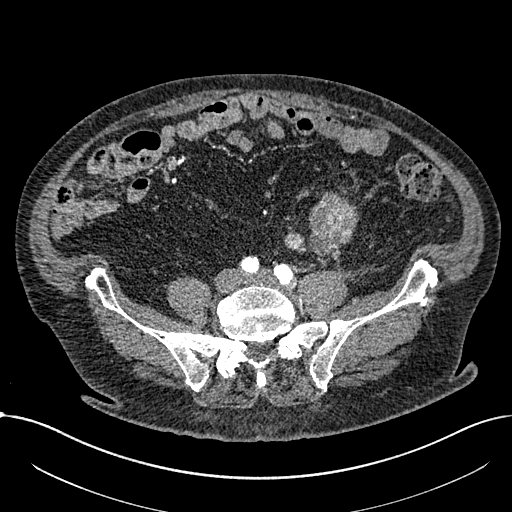
Axial slice 172 of 1059 of a contrast-enhanced abdominal CT in the arterial phase (slice 1 is the lowest), 100 kVp, kernel I30f; 1.00 mm slice thickness and 0.811 mm pixels.
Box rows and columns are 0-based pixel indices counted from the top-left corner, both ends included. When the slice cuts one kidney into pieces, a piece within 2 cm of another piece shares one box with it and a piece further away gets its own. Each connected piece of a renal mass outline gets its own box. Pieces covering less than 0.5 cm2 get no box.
Two boxes on this slice (two renal mass boxes), listed by box centre from the image's left to its right. (1) Renal mass at rows 229–251, columns 284–303 (outlined area 325 px, about 2.1 cm2); no kidney is outlined on this slice, but the same outlined renal mass comes within 1 cm of the kidney on another slice. (2) Box rows 191–265, columns 308–358: renal mass (outlined area 2,544 px, about 16.7 cm2); this slice has no kidney outline, though on another slice the same outlined renal mass lies within 1 cm of the kidney.